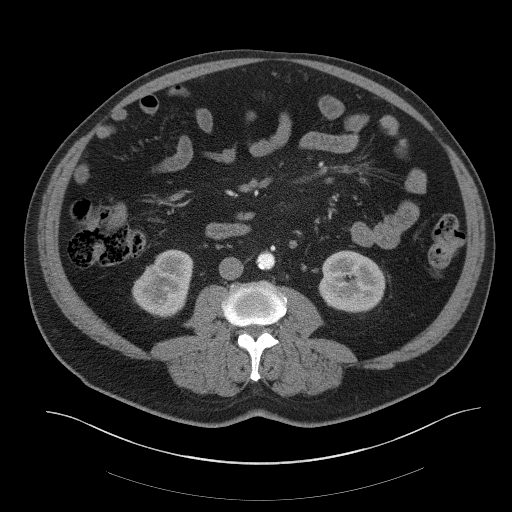
Contrast-enhanced abdominal CT, axial slice 14 of 61 (counted from the lowest slice); tube voltage 140 kVp, convolution kernel B41f; slices 3.00 mm thick, 0.939 mm per pixel.
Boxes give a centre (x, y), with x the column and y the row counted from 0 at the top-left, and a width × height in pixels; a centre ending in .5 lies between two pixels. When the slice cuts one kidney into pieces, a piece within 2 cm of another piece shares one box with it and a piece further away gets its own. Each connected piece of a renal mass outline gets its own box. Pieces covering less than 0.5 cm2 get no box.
Two kidney boxes on this slice; by box centre, from the image's left to its right: (1) Right kidney, box centre (162.5, 283), 62 × 69 pixels (outlined area 3,035 px, about 26.8 cm2). (2) Box centre (351.5, 281), 68 × 63 pixels: left kidney (outlined area 3,316 px, about 29.3 cm2). No renal mass outline on this slice.